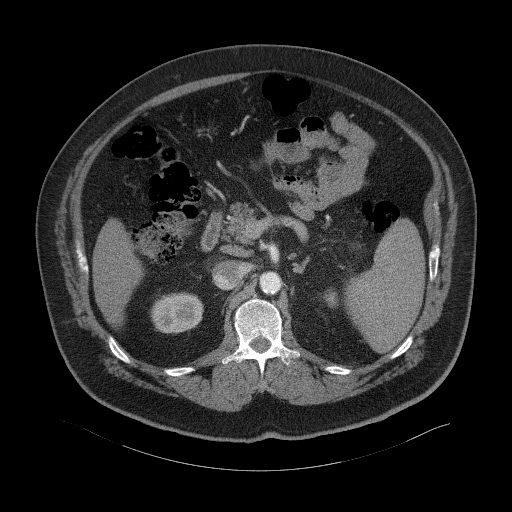
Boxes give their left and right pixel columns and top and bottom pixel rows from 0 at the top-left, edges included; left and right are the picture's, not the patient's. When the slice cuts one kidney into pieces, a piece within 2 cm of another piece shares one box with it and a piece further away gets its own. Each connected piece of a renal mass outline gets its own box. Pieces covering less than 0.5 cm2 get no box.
Slice 41/94 of a contrast-enhanced abdominal CT, counting up from the lowest; pixel size 0.977 mm, slice thickness 3.00 mm. Two boxes on this slice (two kidney boxes), listed by box centre from the image's left to its right. (1) Right kidney, the box with left 150, top 292, right 203, bottom 333 (outlined area 1,797 px, about 17.1 cm2). (2) Left kidney, the box with left 323, top 288, right 338, bottom 307 (outlined area 225 px, about 2.1 cm2). No renal mass is outlined on this slice.
Scan settings: 120 kVp, B41f reconstruction kernel.